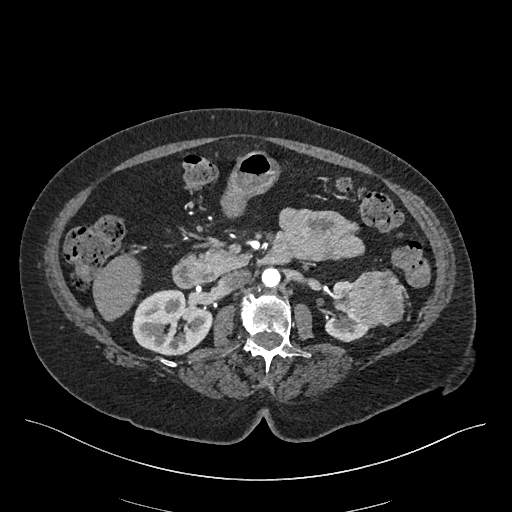
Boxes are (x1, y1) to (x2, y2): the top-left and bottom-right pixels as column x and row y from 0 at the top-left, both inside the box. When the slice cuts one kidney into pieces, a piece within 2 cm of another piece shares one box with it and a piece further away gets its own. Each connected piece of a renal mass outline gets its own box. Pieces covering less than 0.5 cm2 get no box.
Arterial-phase contrast-enhanced abdominal CT, axial slice 252 of 548 (counted from the lowest slice); 1.00 mm thick, 0.852 mm per pixel. Three boxes on this slice (two kidney boxes and one renal mass box), listed by box centre from the image's left to its right. (1) Box (132, 289) to (211, 355): right kidney (outlined area 4,063 px, about 29.5 cm2). (2) Left kidney from (324, 280) to (370, 342) (outlined area 1,327 px, about 9.6 cm2). (3) Box (341, 269) to (405, 327): left renal mass (outlined area 2,857 px, about 20.7 cm2).
Scan settings: 120 kVp, I26f reconstruction kernel.